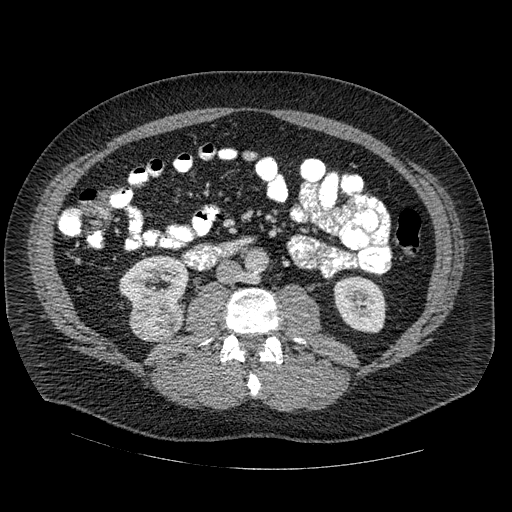
One axial slice (249 of 445, counting up from the lowest) of an arterial-phase abdominal CT acquired with 120 kVp, kernel STANDARD; each pixel is 0.863 mm and the slice is 1.25 mm thick.
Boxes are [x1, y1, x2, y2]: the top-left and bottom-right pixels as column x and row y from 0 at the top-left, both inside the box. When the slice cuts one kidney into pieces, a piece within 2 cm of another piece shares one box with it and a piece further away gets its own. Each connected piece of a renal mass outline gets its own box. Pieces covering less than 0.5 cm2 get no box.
Two kidney boxes and one renal mass box on this slice; by box centre, from the image's left to its right: (1) Right kidney at [118, 255, 189, 307] (outlined area 2,675 px, about 19.9 cm2). (2) Box [129, 300, 184, 342]: right renal mass (outlined area 1,880 px, about 14.0 cm2). (3) Left kidney, box [334, 276, 385, 333] (outlined area 2,383 px, about 17.8 cm2).